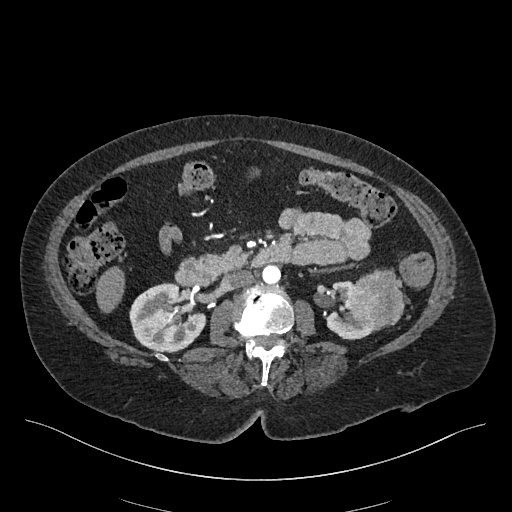
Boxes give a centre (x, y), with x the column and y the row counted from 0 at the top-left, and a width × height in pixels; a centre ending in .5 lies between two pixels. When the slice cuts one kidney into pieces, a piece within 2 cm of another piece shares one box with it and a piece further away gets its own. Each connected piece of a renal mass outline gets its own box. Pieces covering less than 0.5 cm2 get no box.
Slice 237/548 of a contrast-enhanced abdominal CT in the arterial phase, counting up from the lowest; pixel size 0.852 mm, slice thickness 1.00 mm. Boxed on this slice (two kidney boxes and one renal mass box), listed by box centre from the image's left to its right: (1) Right kidney, box centre (167.5, 317.5), 78 × 70 pixels (outlined area 3,949 px, about 28.6 cm2). (2) Box centre (351.5, 309.5), 54 × 60 pixels: left kidney (outlined area 1,552 px, about 11.3 cm2). (3) Box centre (377, 299), 55 × 61 pixels: left renal mass (outlined area 2,556 px, about 18.5 cm2).
Acquired at 120 kVp and reconstructed with the I26f kernel.